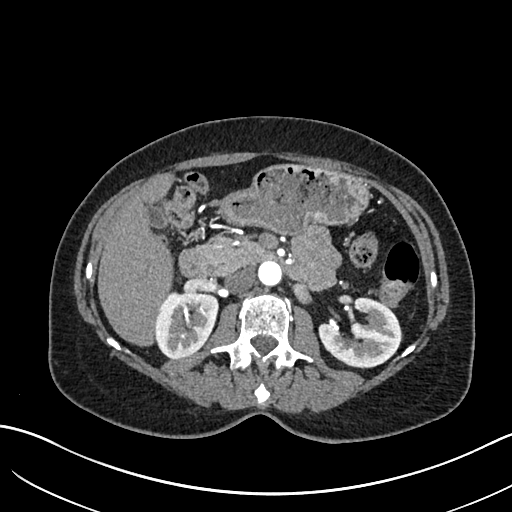
Abdominal CT with intravenous contrast, arterial phase, axial plane, 120 kVp, kernel I30f. Slice 383/683 from the bottom of the scan; thickness 1.00 mm; pixel size 0.738 mm.
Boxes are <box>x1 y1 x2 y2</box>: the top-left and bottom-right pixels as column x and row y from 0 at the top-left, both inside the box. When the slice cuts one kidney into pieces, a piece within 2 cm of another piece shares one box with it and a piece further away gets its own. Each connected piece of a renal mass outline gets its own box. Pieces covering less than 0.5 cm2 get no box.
Boxed on this slice (two kidney boxes), listed by box centre from the image's left to its right: (1) Right kidney: <box>155 291 218 359</box> (outlined area 3,418 px, about 18.6 cm2). (2) Left kidney at <box>318 297 400 368</box> (outlined area 4,045 px, about 22.0 cm2). This slice carries no renal mass outline.